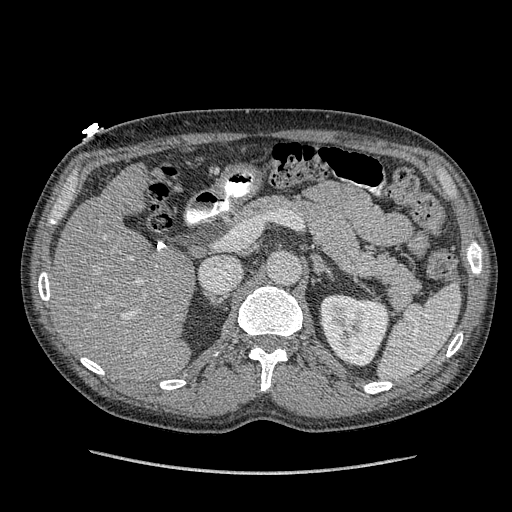
Arterial-phase contrast-enhanced abdominal CT, axial slice 245 of 349 (counted from the lowest slice); tube voltage 120 kVp, convolution kernel STANDARD; slices 1.25 mm thick, 0.742 mm per pixel.
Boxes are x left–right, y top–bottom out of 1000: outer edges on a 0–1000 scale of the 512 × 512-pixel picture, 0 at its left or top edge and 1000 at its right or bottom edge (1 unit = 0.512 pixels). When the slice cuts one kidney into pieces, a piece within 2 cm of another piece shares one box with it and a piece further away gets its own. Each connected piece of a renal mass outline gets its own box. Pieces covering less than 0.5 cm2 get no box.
Left kidney, box x 625–764, y 574–717 out of 1000 (outlined area 3,914 px, about 21.6 cm2). This slice carries no renal mass outline.